Contrast-enhanced abdominal CT, axial slice 65 of 101 (counted from the lowest slice); tube voltage 100 kVp, convolution kernel I40f; slices 5.00 mm thick, 0.879 mm per pixel.
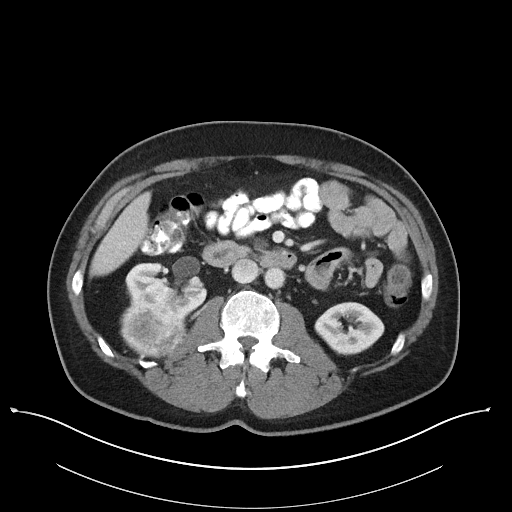
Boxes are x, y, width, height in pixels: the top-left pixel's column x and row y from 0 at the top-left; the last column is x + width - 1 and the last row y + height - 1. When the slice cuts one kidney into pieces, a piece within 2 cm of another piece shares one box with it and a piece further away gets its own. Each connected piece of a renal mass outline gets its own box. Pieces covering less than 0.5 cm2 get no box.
Three boxes on this slice (two kidney boxes and one renal mass box), listed by box centre from the image's left to its right. (1) Right renal mass at x 120, y 301, width 68, height 55 (outlined area 2,994 px, about 23.1 cm2). (2) Right kidney at x 125, y 261, width 82, height 56 (outlined area 2,826 px, about 21.8 cm2). (3) Left kidney at x 314, y 301, width 71, height 53 (outlined area 2,609 px, about 20.2 cm2).